Axial slice 29 of 234 of a contrast-enhanced abdominal CT in the arterial phase (slice 1 is the lowest), 100 kVp, kernel I40f; 2.00 mm slice thickness and 0.699 mm pixels.
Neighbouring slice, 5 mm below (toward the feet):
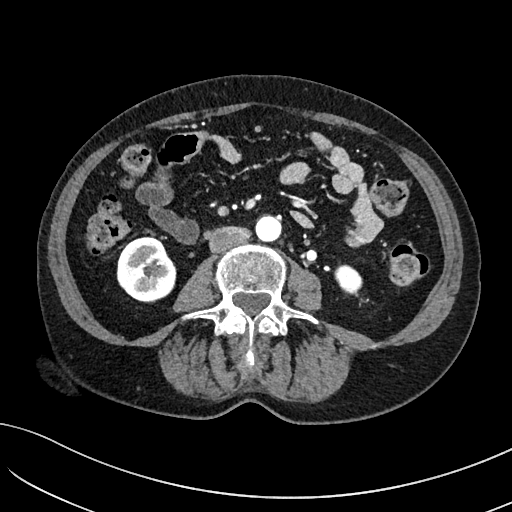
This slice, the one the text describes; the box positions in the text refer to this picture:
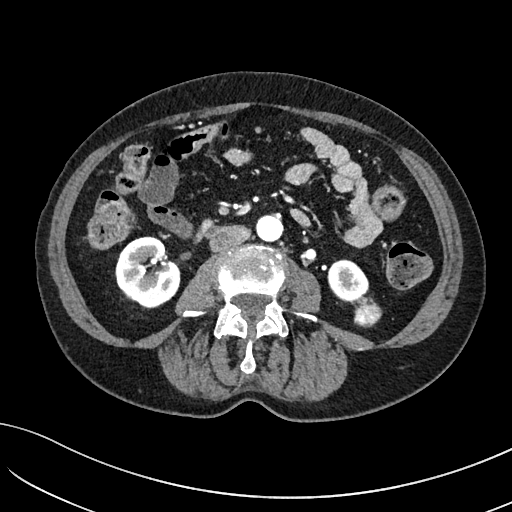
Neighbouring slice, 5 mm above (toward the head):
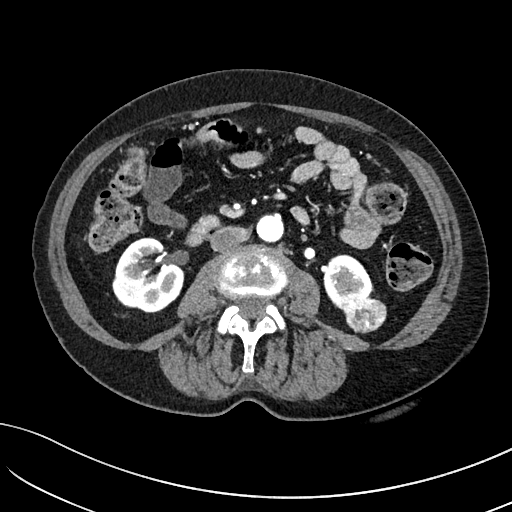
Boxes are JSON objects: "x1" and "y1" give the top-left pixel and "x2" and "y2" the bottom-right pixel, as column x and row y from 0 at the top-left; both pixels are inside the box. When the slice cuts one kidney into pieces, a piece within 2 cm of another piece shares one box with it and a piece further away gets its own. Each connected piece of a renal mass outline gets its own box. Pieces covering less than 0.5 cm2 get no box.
Two kidney boxes and one renal mass box on this slice; by box centre, from the image's left to its right: (1) Box {"x1": 115, "y1": 236, "x2": 180, "y2": 308}: right kidney (outlined area 3,550 px, about 17.4 cm2). (2) Box {"x1": 327, "y1": 259, "x2": 369, "y2": 303}: left kidney (outlined area 1,359 px, about 6.6 cm2). (3) Left renal mass, box {"x1": 352, "y1": 297, "x2": 381, "y2": 327} (outlined area 706 px, about 3.5 cm2). This slice is near the end of the left renal mass toward the feet, so the slices 5 mm below and 5 mm above it are shown as well; the boxes refer to this slice only.